One axial slice (61 of 102, counting up from the lowest) of an arterial-phase abdominal CT acquired with 100 kVp, kernel I40f; each pixel is 0.781 mm and the slice is 5.00 mm thick.
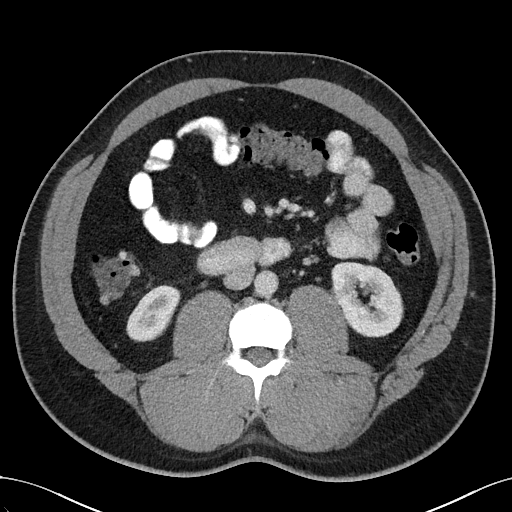
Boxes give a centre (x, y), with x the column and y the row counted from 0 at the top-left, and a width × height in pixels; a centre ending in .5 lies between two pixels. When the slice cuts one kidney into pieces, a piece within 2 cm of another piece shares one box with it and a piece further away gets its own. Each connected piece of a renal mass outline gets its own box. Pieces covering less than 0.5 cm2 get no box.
Boxed on this slice (two kidney boxes), listed by box centre from the image's left to its right: (1) Right kidney, box centre (152.5, 313), 54 × 57 pixels (outlined area 2,082 px, about 12.7 cm2). (2) Left kidney in a box with centre (367, 299), 73 × 77 pixels (outlined area 3,948 px, about 24.1 cm2).